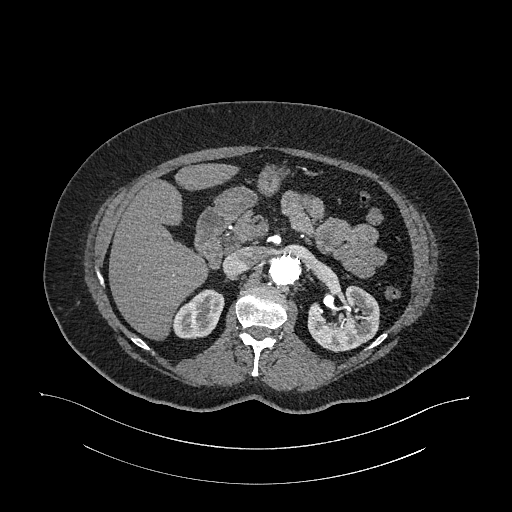
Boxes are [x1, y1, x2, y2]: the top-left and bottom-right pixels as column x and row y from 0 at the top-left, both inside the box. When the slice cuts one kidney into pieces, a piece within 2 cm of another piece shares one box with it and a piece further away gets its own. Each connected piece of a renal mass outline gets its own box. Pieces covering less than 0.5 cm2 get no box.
Slice 706/987 of a contrast-enhanced abdominal CT in the arterial phase, counting up from the lowest; pixel size 0.977 mm, slice thickness 1.00 mm. Boxed on this slice (two kidney boxes), listed by box centre from the image's left to its right: (1) Box [172, 289, 224, 338]: right kidney (outlined area 1,857 px, about 17.7 cm2). (2) Left kidney at [307, 284, 379, 352] (outlined area 3,497 px, about 33.3 cm2). No renal mass outline on this slice.
Tube voltage 120 kVp; convolution kernel I26f.